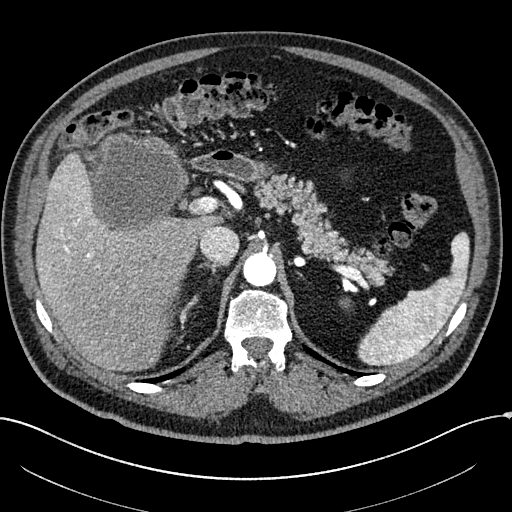
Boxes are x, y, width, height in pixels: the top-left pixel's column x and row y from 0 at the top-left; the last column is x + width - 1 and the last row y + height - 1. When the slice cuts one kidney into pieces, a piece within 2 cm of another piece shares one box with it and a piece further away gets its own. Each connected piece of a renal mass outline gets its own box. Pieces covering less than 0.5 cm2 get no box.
Arterial-phase contrast-enhanced abdominal CT, axial slice 179 of 304 (counted from the lowest slice); 2.00 mm thick, 0.809 mm per pixel. Right renal mass at x 82, y 132, width 106, height 105 (outlined area 8,268 px, about 54.1 cm2); no kidney outline appears on this slice, but the same outlined renal mass comes within 1 cm of the kidney on another slice.
Tube voltage 100 kVp; convolution kernel I30f.